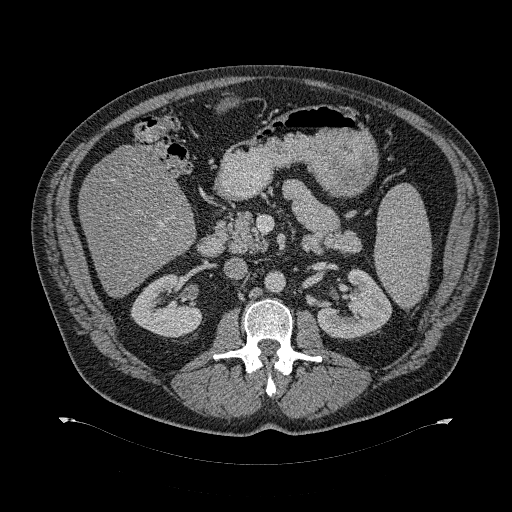
Contrast-enhanced abdominal CT, axial slice 187 of 274 (counted from the lowest slice); tube voltage 120 kVp, convolution kernel B31f; slices 2.00 mm thick, 0.977 mm per pixel.
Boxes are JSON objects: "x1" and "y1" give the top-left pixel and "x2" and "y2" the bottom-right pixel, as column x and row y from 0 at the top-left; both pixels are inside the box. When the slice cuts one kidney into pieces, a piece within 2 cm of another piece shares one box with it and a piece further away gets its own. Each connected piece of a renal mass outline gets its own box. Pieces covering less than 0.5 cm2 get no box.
Boxed on this slice (two kidney boxes), listed by box centre from the image's left to its right: (1) Right kidney, box {"x1": 130, "y1": 274, "x2": 202, "y2": 337} (outlined area 3,172 px, about 30.3 cm2). (2) Left kidney, box {"x1": 317, "y1": 268, "x2": 392, "y2": 339} (outlined area 3,405 px, about 32.5 cm2). No renal mass outline on this slice.